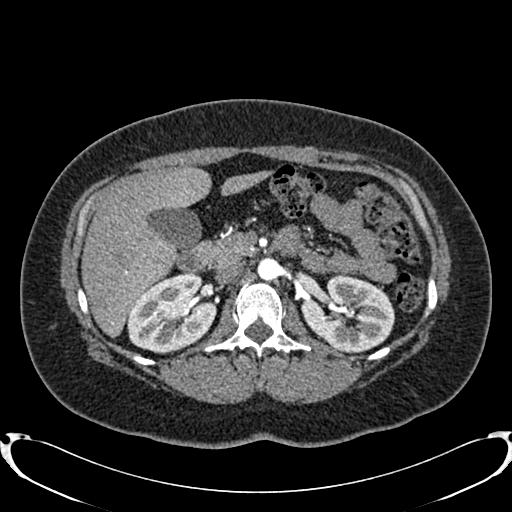
One axial slice (499 of 719, counting up from the lowest) of an arterial-phase abdominal CT acquired with 120 kVp, kernel B20f; each pixel is 0.766 mm and the slice is 1.00 mm thick.
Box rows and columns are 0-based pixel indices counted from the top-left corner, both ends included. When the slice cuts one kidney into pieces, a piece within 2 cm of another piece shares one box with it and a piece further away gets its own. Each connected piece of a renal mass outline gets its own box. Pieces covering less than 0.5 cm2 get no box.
Boxed on this slice (two kidney boxes), listed by box centre from the image's left to its right: (1) Right kidney at rows 272–353, columns 126–216 (outlined area 5,350 px, about 31.4 cm2). (2) Box rows 274–352, columns 301–394: left kidney (outlined area 5,262 px, about 30.8 cm2). No renal mass outline on this slice.